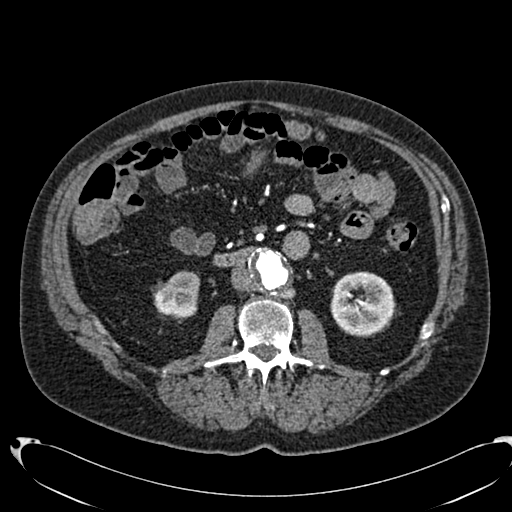
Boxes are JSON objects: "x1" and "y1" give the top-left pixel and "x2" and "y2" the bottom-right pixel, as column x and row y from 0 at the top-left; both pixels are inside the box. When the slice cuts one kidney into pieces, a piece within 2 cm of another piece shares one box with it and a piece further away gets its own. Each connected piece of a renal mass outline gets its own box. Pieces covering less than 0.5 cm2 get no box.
Slice 367/553 of a contrast-enhanced abdominal CT in the arterial phase, counting up from the lowest; pixel size 0.773 mm, slice thickness 1.00 mm. Boxed on this slice (two kidney boxes), listed by box centre from the image's left to its right: (1) Box {"x1": 154, "y1": 270, "x2": 199, "y2": 319}: right kidney (outlined area 1,707 px, about 10.2 cm2). (2) Left kidney at {"x1": 330, "y1": 271, "x2": 396, "y2": 337} (outlined area 3,391 px, about 20.3 cm2). No renal mass outline on this slice.
Scan settings: 120 kVp, B20f reconstruction kernel.